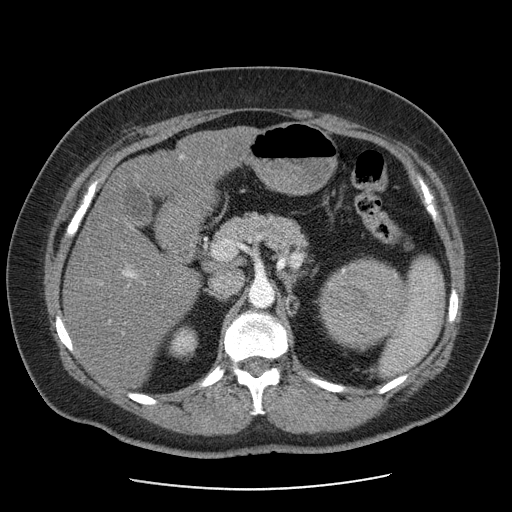
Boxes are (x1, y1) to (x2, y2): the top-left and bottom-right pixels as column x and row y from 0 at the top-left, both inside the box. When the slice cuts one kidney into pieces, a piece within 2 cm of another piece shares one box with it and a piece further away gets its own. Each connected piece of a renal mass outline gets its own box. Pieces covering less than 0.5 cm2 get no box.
This is axial slice 62 of 103 (slice 1 is the lowest) of an abdominal CT with contrast; each pixel is 0.736 mm and the slice is 2.50 mm thick. Two boxes on this slice (one kidney box and one renal mass box), listed by box centre from the image's left to its right. (1) Right kidney from (169, 326) to (198, 360) (outlined area 770 px, about 4.2 cm2). (2) Left renal mass, box (319, 256) to (405, 351) (outlined area 6,166 px, about 33.4 cm2); on this slice it lies more than 1 cm from any kidney outline, but the same outlined renal mass comes within 1 cm of the kidney on another slice.
Tube voltage 120 kVp; convolution kernel STANDARD.